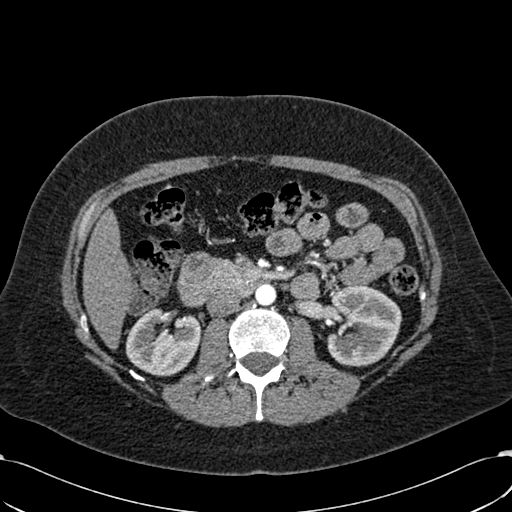
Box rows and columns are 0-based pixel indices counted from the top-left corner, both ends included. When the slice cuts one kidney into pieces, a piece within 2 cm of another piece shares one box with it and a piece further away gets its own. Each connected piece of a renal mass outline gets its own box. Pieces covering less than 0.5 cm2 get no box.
This is axial slice 346 of 532 (slice 1 is the lowest) of an arterial-phase abdominal CT with contrast; each pixel is 0.713 mm and the slice is 1.00 mm thick. Boxed on this slice (two kidney boxes), listed by box centre from the image's left to its right: (1) Box rows 308–376, columns 126–200: right kidney (outlined area 3,859 px, about 19.6 cm2). (2) Left kidney at rows 284–366, columns 326–402 (outlined area 4,857 px, about 24.7 cm2). No renal mass outline on this slice.
Acquired at 120 kVp and reconstructed with the B30f kernel.